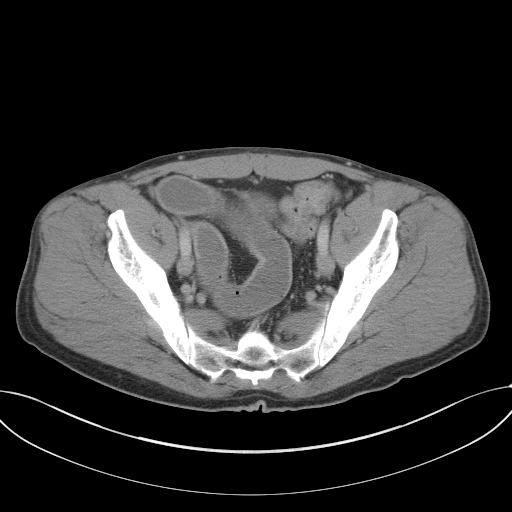
One axial slice (27 of 102, counting up from the lowest) of a contrast-enhanced abdominal CT acquired with 120 kVp, kernel B41f; each pixel is 0.807 mm and the slice is 5.00 mm thick.
No kidney and no renal mass is outlined on this slice; the outlines in this scan cover only the kidneys and the renal masses, so nothing is said about any other organ.